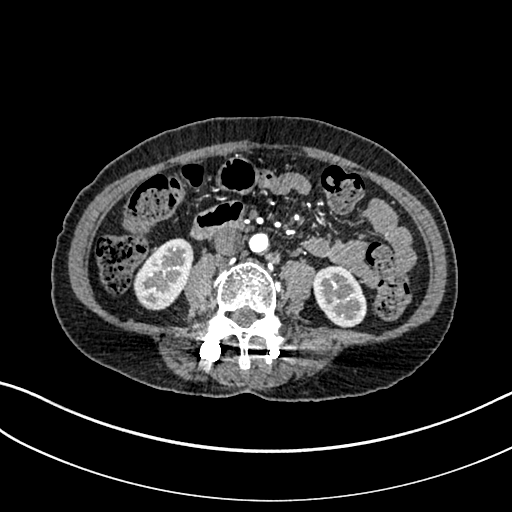
Axial slice 85 of 325 of a contrast-enhanced abdominal CT in the arterial phase (slice 1 is the lowest), 100 kVp, kernel I30f; 1.00 mm slice thickness and 0.703 mm pixels.
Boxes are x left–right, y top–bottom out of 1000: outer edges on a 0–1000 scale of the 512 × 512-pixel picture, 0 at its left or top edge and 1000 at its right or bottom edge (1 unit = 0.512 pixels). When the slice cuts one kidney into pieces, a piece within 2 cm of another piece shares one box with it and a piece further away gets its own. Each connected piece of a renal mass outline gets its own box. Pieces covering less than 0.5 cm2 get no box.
Two boxes on this slice (two kidney boxes), listed by box centre from the image's left to its right. (1) Box x 260–379, y 465–607 out of 1000: right kidney (outlined area 3,050 px, about 15.1 cm2). (2) Left kidney, box x 611–719, y 518–643 out of 1000 (outlined area 2,548 px, about 12.6 cm2). No renal mass outline on this slice.